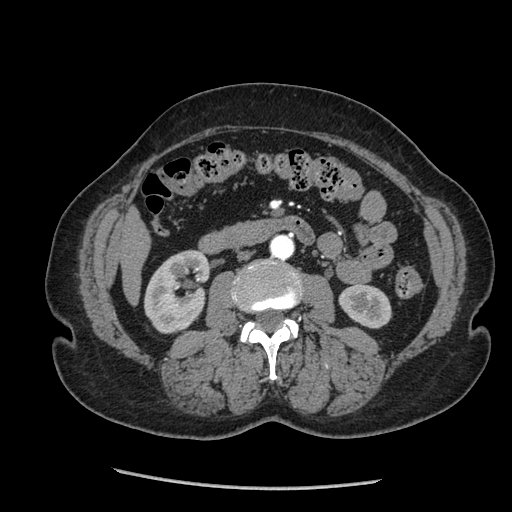
Abdominal CT with intravenous contrast, arterial phase, axial plane, 120 kVp, kernel STANDARD. Slice 105/233 from the bottom of the scan; thickness 1.25 mm; pixel size 0.703 mm.
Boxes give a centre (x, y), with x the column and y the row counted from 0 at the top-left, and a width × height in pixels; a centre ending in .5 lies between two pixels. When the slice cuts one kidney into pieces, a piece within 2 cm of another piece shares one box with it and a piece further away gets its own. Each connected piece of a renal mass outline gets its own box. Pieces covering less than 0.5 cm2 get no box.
Two kidney boxes on this slice; by box centre, from the image's left to its right: (1) Right kidney, box centre (177.5, 291), 68 × 85 pixels (outlined area 4,148 px, about 20.5 cm2). (2) Left kidney, box centre (365, 305.5), 55 × 46 pixels (outlined area 1,813 px, about 9.0 cm2). No renal mass outline on this slice.